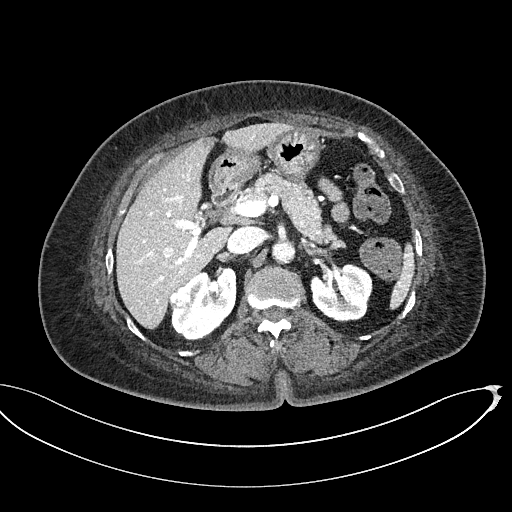
Abdominal CT with intravenous contrast, axial plane, 100 kVp, kernel I40f. Slice 326/439 from the bottom of the scan; thickness 2.00 mm; pixel size 0.850 mm.
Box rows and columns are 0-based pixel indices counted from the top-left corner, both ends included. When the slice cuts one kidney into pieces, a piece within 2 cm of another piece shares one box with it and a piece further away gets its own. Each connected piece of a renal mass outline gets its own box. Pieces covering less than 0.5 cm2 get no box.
Three boxes on this slice (two kidney boxes and one renal mass box), listed by box centre from the image's left to its right. (1) Right renal mass, box rows 285–307, columns 169–190 (outlined area 372 px, about 2.7 cm2). (2) Right kidney at rows 267–340, columns 171–236 (outlined area 3,246 px, about 23.4 cm2). (3) Left kidney at rows 263–321, columns 310–372 (outlined area 2,838 px, about 20.5 cm2).